Axial slice 313 of 538 of a contrast-enhanced abdominal CT in the arterial phase (slice 1 is the lowest), 120 kVp, kernel B30f; 1.00 mm slice thickness and 0.811 mm pixels.
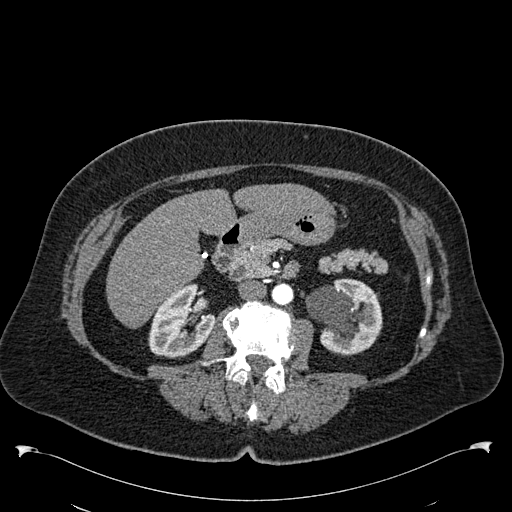
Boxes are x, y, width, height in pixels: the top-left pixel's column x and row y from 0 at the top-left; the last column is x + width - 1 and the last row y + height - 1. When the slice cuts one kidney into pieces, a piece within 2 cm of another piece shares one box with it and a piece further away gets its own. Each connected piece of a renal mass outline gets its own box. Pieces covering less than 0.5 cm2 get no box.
Boxed on this slice (two kidney boxes), listed by box centre from the image's left to its right: (1) Box x 148, y 283, width 68, height 76: right kidney (outlined area 3,447 px, about 22.6 cm2). (2) Left kidney at x 305, y 278, width 78, height 77 (outlined area 4,331 px, about 28.5 cm2). No renal mass outline on this slice.